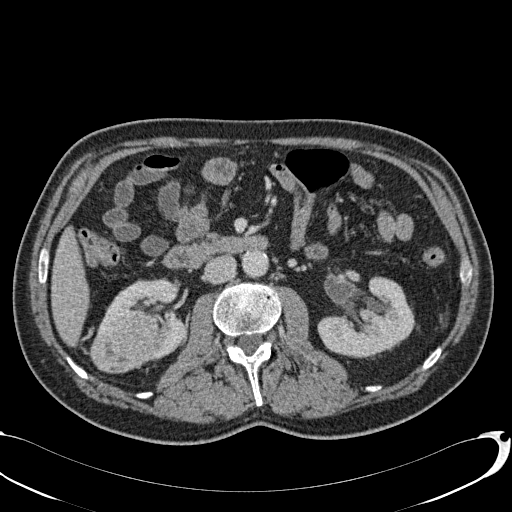
One axial slice (37 of 113, counting up from the lowest) of a contrast-enhanced abdominal CT acquired with 120 kVp, kernel B31f; each pixel is 0.742 mm and the slice is 2.00 mm thick.
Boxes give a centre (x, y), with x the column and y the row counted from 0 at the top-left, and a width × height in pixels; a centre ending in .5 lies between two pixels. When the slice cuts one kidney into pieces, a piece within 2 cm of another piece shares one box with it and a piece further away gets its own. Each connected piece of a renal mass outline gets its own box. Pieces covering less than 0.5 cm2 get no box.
Two kidney boxes and one renal mass box on this slice; by box centre, from the image's left to its right: (1) Right renal mass, box centre (124, 340.5), 71 × 66 pixels (outlined area 3,625 px, about 20.0 cm2). (2) Right kidney in a box with centre (146.5, 318.5), 84 × 84 pixels (outlined area 3,011 px, about 16.6 cm2). (3) Box centre (366, 316.5), 99 × 82 pixels: left kidney (outlined area 5,309 px, about 29.2 cm2).